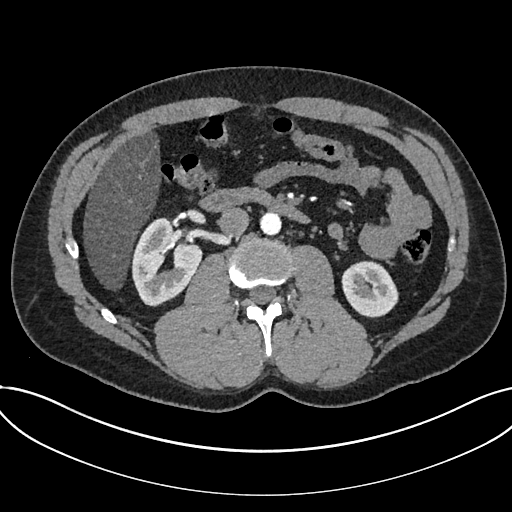
Axial slice 390 of 735 of a contrast-enhanced abdominal CT in the arterial phase (slice 1 is the lowest), 120 kVp, kernel I30f; 1.00 mm slice thickness and 0.789 mm pixels.
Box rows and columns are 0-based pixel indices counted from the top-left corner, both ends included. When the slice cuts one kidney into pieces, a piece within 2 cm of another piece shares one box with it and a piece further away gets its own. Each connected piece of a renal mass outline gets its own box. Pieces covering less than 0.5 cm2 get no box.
Two kidney boxes on this slice; by box centre, from the image's left to its right: (1) Kidney at rows 217–306, columns 131–202 (outlined area 4,294 px, about 26.7 cm2). (2) Box rows 261–317, columns 341–398: kidney (outlined area 2,482 px, about 15.5 cm2). No renal mass outline on this slice.